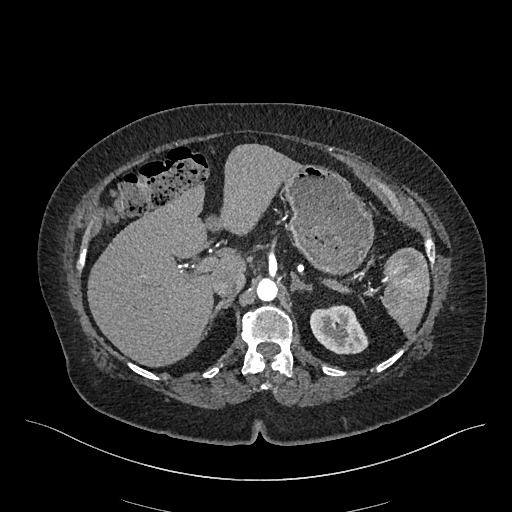
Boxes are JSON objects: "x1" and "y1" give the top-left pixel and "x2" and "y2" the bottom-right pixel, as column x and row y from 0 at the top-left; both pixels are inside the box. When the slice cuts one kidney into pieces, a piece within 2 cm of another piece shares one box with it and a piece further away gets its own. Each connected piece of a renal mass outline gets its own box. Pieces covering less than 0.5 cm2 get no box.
Arterial-phase contrast-enhanced abdominal CT, axial slice 335 of 548 (counted from the lowest slice); 1.00 mm thick, 0.852 mm per pixel. Left kidney at {"x1": 309, "y1": 305, "x2": 368, "y2": 354} (outlined area 2,187 px, about 15.9 cm2). No renal mass is outlined on this slice.
Scan settings: 120 kVp, I26f reconstruction kernel.